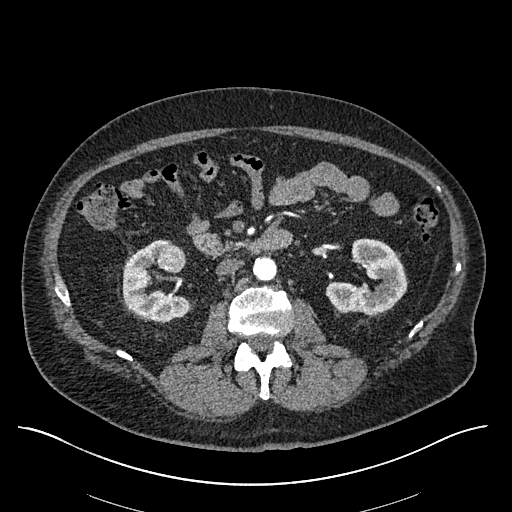
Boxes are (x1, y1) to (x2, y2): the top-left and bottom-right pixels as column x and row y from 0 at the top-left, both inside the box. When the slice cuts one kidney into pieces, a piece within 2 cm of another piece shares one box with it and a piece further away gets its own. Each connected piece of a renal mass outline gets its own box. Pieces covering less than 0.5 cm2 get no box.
Slice 313/670 of a contrast-enhanced abdominal CT in the arterial phase, counting up from the lowest; pixel size 0.861 mm, slice thickness 1.00 mm. Boxed on this slice (two kidney boxes and one renal mass box), listed by box centre from the image's left to its right: (1) Box (122, 239) to (189, 321): right kidney (outlined area 3,354 px, about 24.9 cm2). (2) Right renal mass, box (157, 243) to (186, 272) (outlined area 685 px, about 5.1 cm2). (3) Left kidney, box (325, 238) to (406, 314) (outlined area 3,859 px, about 28.6 cm2).
Acquired at 120 kVp and reconstructed with the I30f kernel.